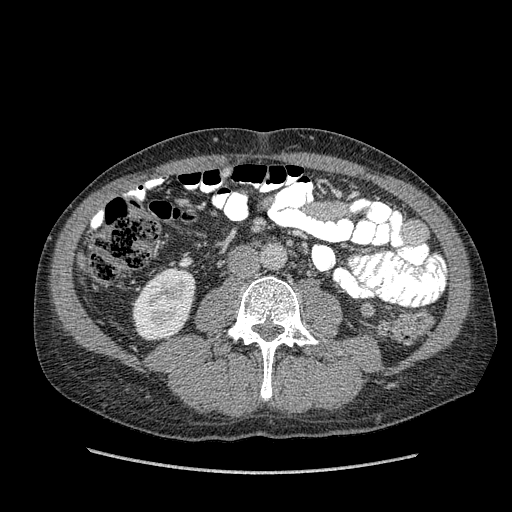
One axial slice (169 of 349, counting up from the lowest) of an arterial-phase abdominal CT acquired with 120 kVp, kernel STANDARD; each pixel is 0.742 mm and the slice is 1.25 mm thick.
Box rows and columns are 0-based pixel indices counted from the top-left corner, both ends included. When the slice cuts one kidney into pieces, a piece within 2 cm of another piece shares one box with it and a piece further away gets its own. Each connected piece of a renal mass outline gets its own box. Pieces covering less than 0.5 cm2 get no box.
Boxed on this slice (one kidney box and one renal mass box), listed by box centre from the image's left to its right: (1) Right kidney at rows 268–340, columns 132–195 (outlined area 3,573 px, about 19.7 cm2). (2) Box rows 301–317, columns 360–374: left renal mass (outlined area 196 px, about 1.1 cm2); here it is more than 1 cm from any kidney outline, though on another slice the same outlined renal mass lies within 1 cm of the kidney.